Arterial-phase contrast-enhanced abdominal CT, axial slice 141 of 326 (counted from the lowest slice); tube voltage 120 kVp, convolution kernel B31f; slices 2.00 mm thick, 0.963 mm per pixel.
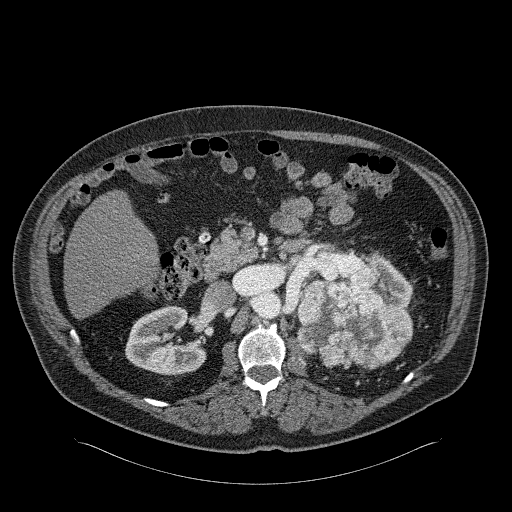
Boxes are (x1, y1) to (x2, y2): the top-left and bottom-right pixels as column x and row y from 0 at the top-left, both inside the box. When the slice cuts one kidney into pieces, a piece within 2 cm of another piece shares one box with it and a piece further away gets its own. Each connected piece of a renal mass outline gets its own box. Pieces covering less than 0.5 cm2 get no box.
Two kidney boxes and one renal mass box on this slice; by box centre, from the image's left to its right: (1) Right kidney, box (125, 305) to (206, 375) (outlined area 4,035 px, about 37.4 cm2). (2) Box (297, 263) to (413, 369): left renal mass (outlined area 8,911 px, about 82.6 cm2). (3) Box (351, 253) to (412, 310): left kidney (outlined area 1,502 px, about 13.9 cm2).